One axial slice (375 of 738, counting up from the lowest) of an arterial-phase abdominal CT acquired with 120 kVp, kernel I30f; each pixel is 0.789 mm and the slice is 1.00 mm thick.
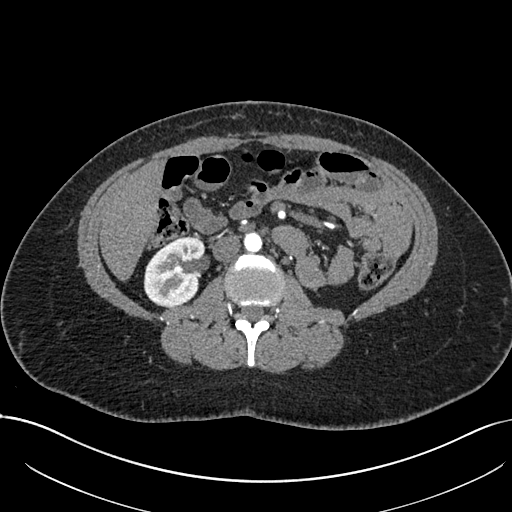
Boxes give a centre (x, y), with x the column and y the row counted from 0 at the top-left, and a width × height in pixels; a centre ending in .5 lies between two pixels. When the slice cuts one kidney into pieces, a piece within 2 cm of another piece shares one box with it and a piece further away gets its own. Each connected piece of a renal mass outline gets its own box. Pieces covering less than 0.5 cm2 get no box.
Right kidney in a box with centre (174, 271.5), 63 × 72 pixels (outlined area 3,355 px, about 20.9 cm2). No renal mass is outlined on this slice.